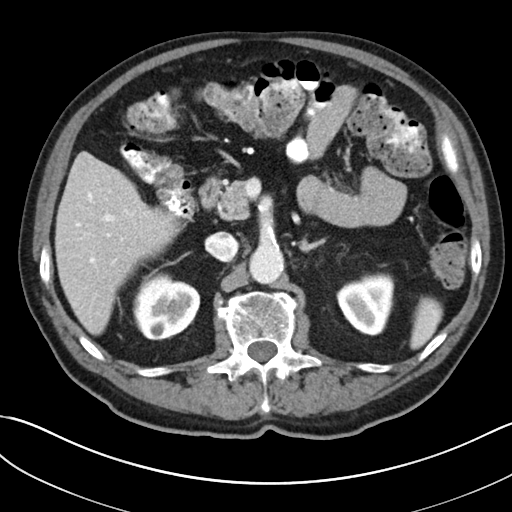
Abdominal CT with intravenous contrast, axial plane, 100 kVp, kernel I30f. Slice 139/269 from the bottom of the scan; thickness 5.00 mm; pixel size 0.732 mm.
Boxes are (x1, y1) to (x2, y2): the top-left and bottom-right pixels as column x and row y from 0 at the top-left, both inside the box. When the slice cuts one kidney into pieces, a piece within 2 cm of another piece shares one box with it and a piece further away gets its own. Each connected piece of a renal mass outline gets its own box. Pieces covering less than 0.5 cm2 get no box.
Two kidney boxes on this slice; by box centre, from the image's left to its right: (1) Right kidney, box (133, 273) to (200, 340) (outlined area 3,338 px, about 17.9 cm2). (2) Left kidney from (336, 272) to (394, 335) (outlined area 2,773 px, about 14.9 cm2). No renal mass outline on this slice.